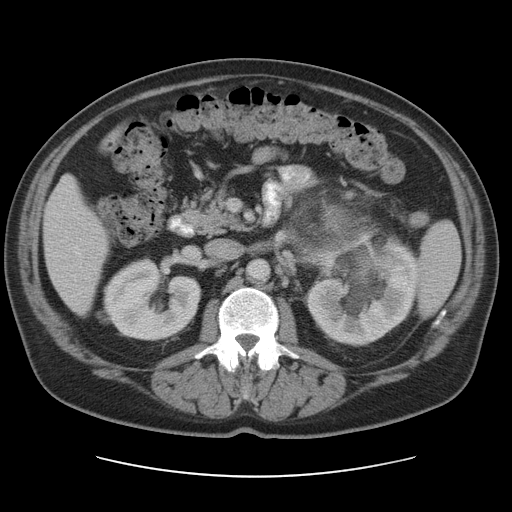
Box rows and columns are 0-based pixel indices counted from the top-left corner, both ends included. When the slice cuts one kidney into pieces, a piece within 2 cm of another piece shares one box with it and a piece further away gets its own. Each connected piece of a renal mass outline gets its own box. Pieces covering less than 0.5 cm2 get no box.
Slice 63/95 of a contrast-enhanced abdominal CT, counting up from the lowest; pixel size 0.781 mm, slice thickness 5.00 mm. Two kidney boxes and one renal mass box on this slice; by box centre, from the image's left to its right: (1) Box rows 257–341, columns 96–201: right kidney (outlined area 6,258 px, about 38.2 cm2). (2) Box rows 201–296, columns 287–392: left renal mass (outlined area 6,875 px, about 42.0 cm2). (3) Left kidney, box rows 238–346, columns 307–417 (outlined area 5,943 px, about 36.3 cm2).
Acquired at 120 kVp and reconstructed with the STANDARD kernel.